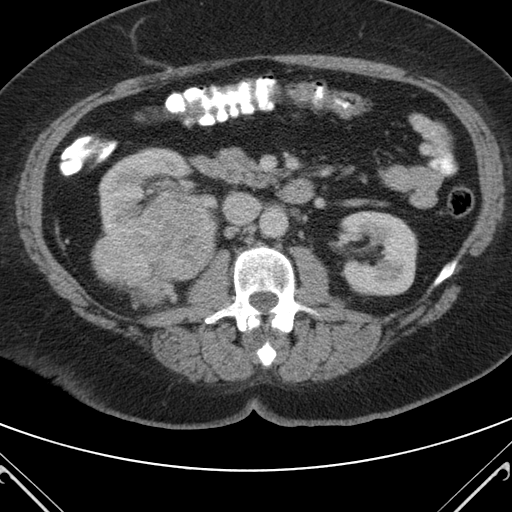
Axial slice 61 of 98 of a contrast-enhanced abdominal CT in the arterial phase (slice 1 is the lowest), 120 kVp, kernel B; 5.00 mm slice thickness and 0.703 mm pixels.
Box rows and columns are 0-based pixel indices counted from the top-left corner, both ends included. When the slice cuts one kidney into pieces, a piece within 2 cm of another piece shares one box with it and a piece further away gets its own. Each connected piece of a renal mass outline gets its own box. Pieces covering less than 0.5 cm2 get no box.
Two kidney boxes and one renal mass box on this slice; by box centre, from the image's left to its right: (1) Right renal mass at rows 190–307, columns 90–217 (outlined area 9,342 px, about 46.2 cm2). (2) Right kidney, box rows 147–234, columns 98–217 (outlined area 5,231 px, about 25.9 cm2). (3) Box rows 211–295, columns 337–417: left kidney (outlined area 5,558 px, about 27.5 cm2).